Arterial-phase contrast-enhanced abdominal CT, axial slice 85 of 195 (counted from the lowest slice); tube voltage 100 kVp, convolution kernel I31f; slices 1.50 mm thick, 0.707 mm per pixel.
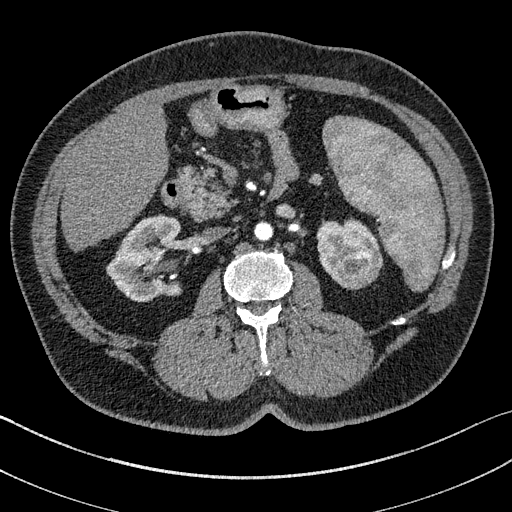
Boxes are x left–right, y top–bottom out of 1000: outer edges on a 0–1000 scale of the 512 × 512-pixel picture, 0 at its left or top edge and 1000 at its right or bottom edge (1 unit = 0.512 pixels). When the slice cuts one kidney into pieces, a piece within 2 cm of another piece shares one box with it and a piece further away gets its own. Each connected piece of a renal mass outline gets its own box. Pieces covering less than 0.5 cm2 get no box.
Boxed on this slice (two kidney boxes and one renal mass box), listed by box centre from the image's left to its right: (1) Right kidney, box x 207–355, y 420–590 out of 1000 (outlined area 4,460 px, about 22.3 cm2). (2) Left kidney at x 619–748, y 428–564 out of 1000 (outlined area 2,363 px, about 11.8 cm2). (3) Box x 662–746, y 496–564 out of 1000: left renal mass (outlined area 1,145 px, about 5.7 cm2).